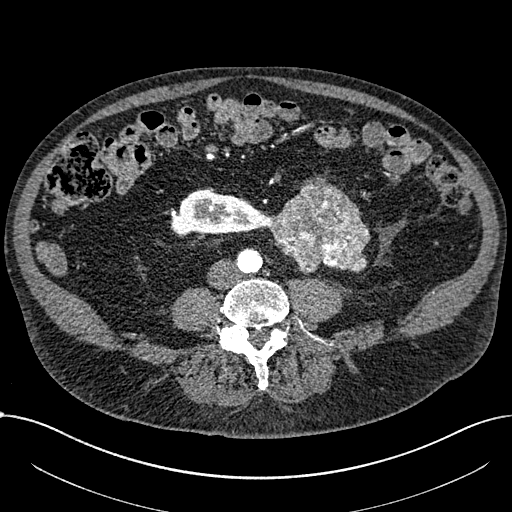
Abdominal CT with intravenous contrast, arterial phase, axial plane, 100 kVp, kernel I30f. Slice 241/1059 from the bottom of the scan; thickness 1.00 mm; pixel size 0.811 mm.
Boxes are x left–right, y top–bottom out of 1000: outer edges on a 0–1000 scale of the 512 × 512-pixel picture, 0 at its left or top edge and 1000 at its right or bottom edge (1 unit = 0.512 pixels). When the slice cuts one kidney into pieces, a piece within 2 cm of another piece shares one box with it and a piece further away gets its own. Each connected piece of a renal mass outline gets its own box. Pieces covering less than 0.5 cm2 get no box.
One kidney box and one renal mass box on this slice; by box centre, from the image's left to its right: (1) Box x 332–527, y 369–459 out of 1000: right part of the midline-crossing kidney (outlined area 3,293 px, about 21.6 cm2). (2) Box x 523–725, y 344–535 out of 1000: renal mass (outlined area 6,709 px, about 44.1 cm2).